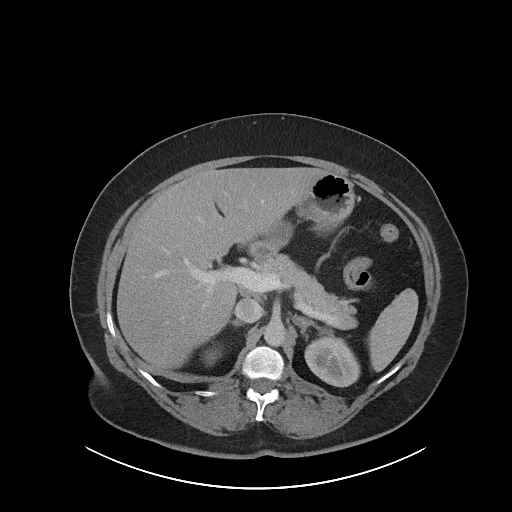
One axial slice (62 of 86, counting up from the lowest) of an arterial-phase abdominal CT acquired with 120 kVp, kernel I40f; each pixel is 0.977 mm and the slice is 5.00 mm thick.
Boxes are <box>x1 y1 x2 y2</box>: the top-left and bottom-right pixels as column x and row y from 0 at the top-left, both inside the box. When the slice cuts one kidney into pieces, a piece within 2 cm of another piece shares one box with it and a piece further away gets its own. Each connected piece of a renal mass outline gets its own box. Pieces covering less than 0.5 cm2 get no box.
Two boxes on this slice (two kidney boxes), listed by box centre from the image's left to its right. (1) Right kidney: <box>204 348 221 364</box> (outlined area 212 px, about 2.0 cm2). (2) At <box>304 334 360 387</box>: left kidney (outlined area 2,137 px, about 20.4 cm2). No renal mass is outlined on this slice.